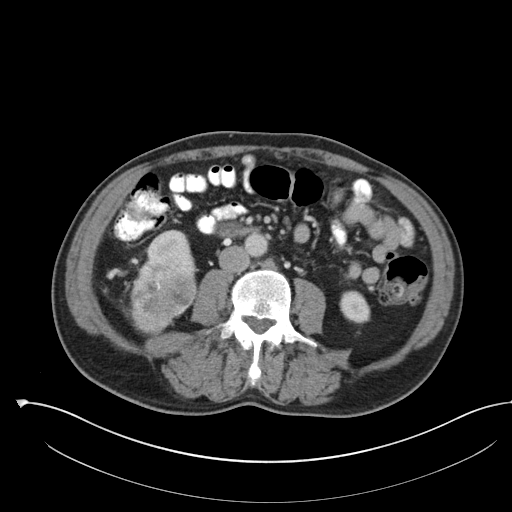
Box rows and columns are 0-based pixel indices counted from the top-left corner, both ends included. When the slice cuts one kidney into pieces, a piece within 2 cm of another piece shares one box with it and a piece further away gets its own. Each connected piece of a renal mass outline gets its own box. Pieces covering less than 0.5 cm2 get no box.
Slice 56/142 of a contrast-enhanced abdominal CT, counting up from the lowest; pixel size 0.855 mm, slice thickness 5.00 mm. Three boxes on this slice (two kidney boxes and one renal mass box), listed by box centre from the image's left to its right. (1) Right renal mass, box rows 261–336, columns 130–199 (outlined area 3,805 px, about 27.8 cm2). (2) Box rows 229–275, columns 145–198: right kidney (outlined area 1,426 px, about 10.4 cm2). (3) Left kidney at rows 290–322, columns 339–370 (outlined area 814 px, about 6.0 cm2).
Scan settings: 100 kVp, I30f reconstruction kernel.